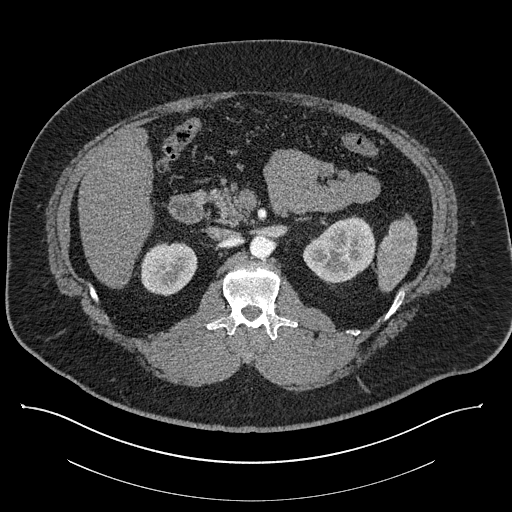
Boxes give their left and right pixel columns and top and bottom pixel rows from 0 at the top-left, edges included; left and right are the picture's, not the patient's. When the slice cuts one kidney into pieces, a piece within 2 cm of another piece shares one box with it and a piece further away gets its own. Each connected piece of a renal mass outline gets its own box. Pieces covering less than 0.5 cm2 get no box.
Contrast-enhanced abdominal CT, axial slice 524 of 787 (counted from the lowest slice); 1.00 mm thick, 0.910 mm per pixel. Boxed on this slice (two kidney boxes), listed by box centre from the image's left to its right: (1) Right kidney, the box with left 140, top 242, right 197, bottom 296 (outlined area 2,447 px, about 20.3 cm2). (2) Box with left 302, top 215, right 375, bottom 283: left kidney (outlined area 3,517 px, about 29.1 cm2). No renal mass is outlined on this slice.
Tube voltage 140 kVp; convolution kernel I30f.